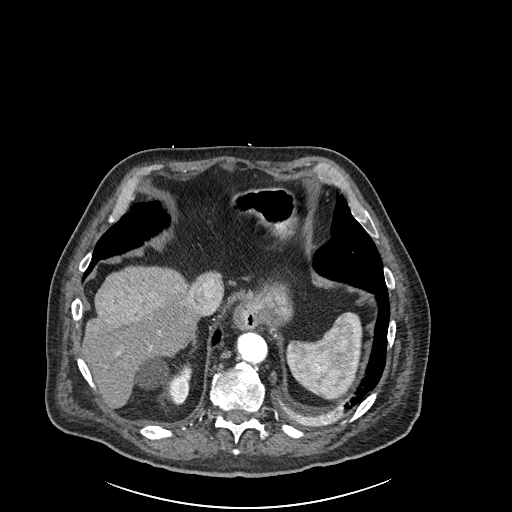
Abdominal CT with intravenous contrast, arterial phase, axial plane, 120 kVp, kernel I30f. Slice 208/261 from the bottom of the scan; thickness 2.00 mm; pixel size 0.939 mm.
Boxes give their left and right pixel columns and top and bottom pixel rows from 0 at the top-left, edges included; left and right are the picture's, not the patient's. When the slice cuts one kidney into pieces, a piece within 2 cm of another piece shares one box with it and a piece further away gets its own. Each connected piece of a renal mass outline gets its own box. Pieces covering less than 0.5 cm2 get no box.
Right kidney, the box with left 136, top 358, right 191, bottom 404 (outlined area 1,385 px, about 12.2 cm2). No renal mass outline on this slice.